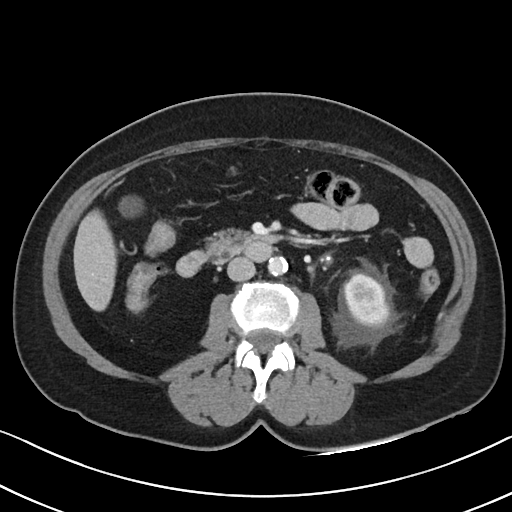
One axial slice (52 of 88, counting up from the lowest) of a contrast-enhanced abdominal CT acquired with 100 kVp, kernel I40f; each pixel is 0.674 mm and the slice is 5.00 mm thick.
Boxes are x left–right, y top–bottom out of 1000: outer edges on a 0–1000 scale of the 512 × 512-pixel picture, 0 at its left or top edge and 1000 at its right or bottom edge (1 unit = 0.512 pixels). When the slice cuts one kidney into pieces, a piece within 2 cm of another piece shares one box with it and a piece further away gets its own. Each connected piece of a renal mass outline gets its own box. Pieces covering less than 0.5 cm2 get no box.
Box x 672–760, y 533–639 out of 1000: left kidney (outlined area 1,871 px, about 8.5 cm2). This slice carries no renal mass outline.